One axial slice (444 of 834, counting up from the lowest) of a contrast-enhanced abdominal CT acquired with 140 kVp, kernel I30f; each pixel is 0.977 mm and the slice is 1.00 mm thick.
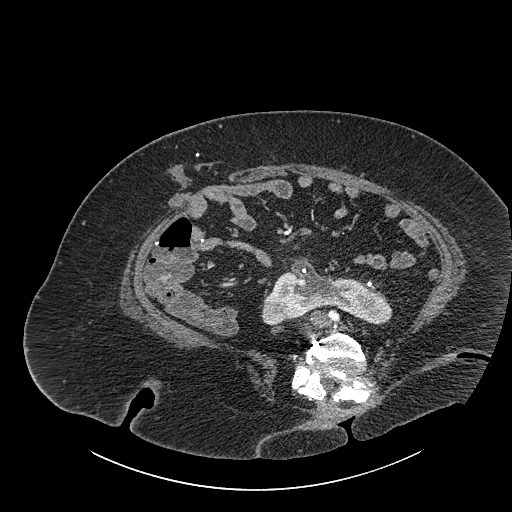
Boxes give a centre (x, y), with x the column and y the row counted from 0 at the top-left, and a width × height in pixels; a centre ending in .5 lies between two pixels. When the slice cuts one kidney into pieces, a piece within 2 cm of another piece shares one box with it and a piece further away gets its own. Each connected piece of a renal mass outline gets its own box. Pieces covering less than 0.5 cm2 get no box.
Kidney crossing the body midline, box centre (326, 291), 131 × 69 pixels (outlined area 4,988 px, about 47.6 cm2). This slice carries no renal mass outline.